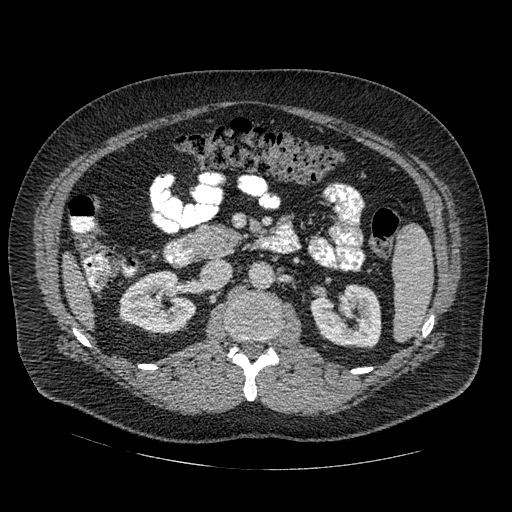
One axial slice (281 of 445, counting up from the lowest) of an arterial-phase abdominal CT acquired with 120 kVp, kernel STANDARD; each pixel is 0.863 mm and the slice is 1.25 mm thick.
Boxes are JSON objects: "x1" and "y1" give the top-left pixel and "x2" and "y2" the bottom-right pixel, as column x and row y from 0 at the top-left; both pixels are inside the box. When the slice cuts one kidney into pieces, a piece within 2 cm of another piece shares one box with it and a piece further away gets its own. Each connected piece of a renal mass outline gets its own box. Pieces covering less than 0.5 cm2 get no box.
Two kidney boxes on this slice; by box centre, from the image's left to its right: (1) Box {"x1": 119, "y1": 270, "x2": 196, "y2": 334}: right kidney (outlined area 3,549 px, about 26.4 cm2). (2) Left kidney at {"x1": 311, "y1": 283, "x2": 381, "y2": 347} (outlined area 3,387 px, about 25.2 cm2). This slice carries no renal mass outline.